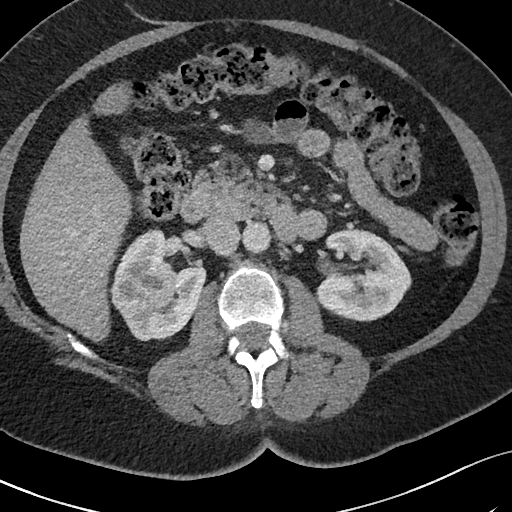
One axial slice (42 of 69, counting up from the lowest) of an arterial-phase abdominal CT acquired with 120 kVp, kernel I40f; each pixel is 0.664 mm and the slice is 3.00 mm thick.
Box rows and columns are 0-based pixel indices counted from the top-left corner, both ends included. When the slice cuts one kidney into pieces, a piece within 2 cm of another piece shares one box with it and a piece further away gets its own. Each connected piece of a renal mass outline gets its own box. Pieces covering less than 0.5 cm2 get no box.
Boxed on this slice (two kidney boxes and one renal mass box), listed by box centre from the image's left to its right: (1) Box rows 276–309, columns 111–146: right renal mass (outlined area 1,021 px, about 4.5 cm2). (2) Right kidney, box rows 230–341, columns 113–206 (outlined area 6,524 px, about 28.8 cm2). (3) Left kidney at rows 228–321, columns 314–411 (outlined area 6,593 px, about 29.1 cm2).